Abdominal CT with intravenous contrast, arterial phase, axial plane, 100 kVp, kernel I30f. Slice 393/1059 from the bottom of the scan; thickness 1.00 mm; pixel size 0.811 mm.
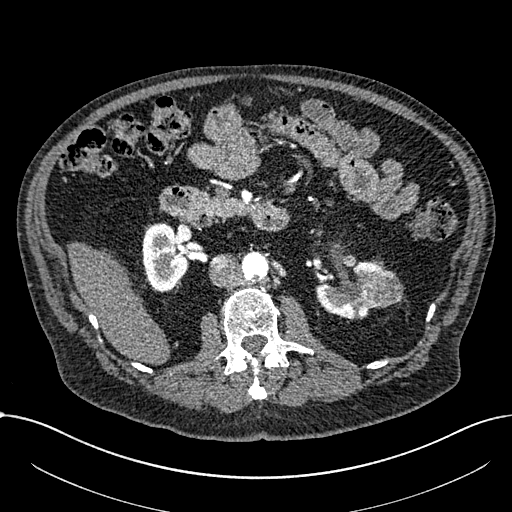
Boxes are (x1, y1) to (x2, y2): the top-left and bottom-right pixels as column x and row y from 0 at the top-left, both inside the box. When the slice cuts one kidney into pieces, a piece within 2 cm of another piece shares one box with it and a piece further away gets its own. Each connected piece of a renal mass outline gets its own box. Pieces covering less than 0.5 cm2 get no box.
Two kidney boxes and one renal mass box on this slice; by box centre, from the image's left to its right: (1) Right part of the midline-crossing kidney, box (142, 222) to (188, 291) (outlined area 2,438 px, about 16.0 cm2). (2) Box (316, 261) to (385, 319): left part of the midline-crossing kidney (outlined area 2,148 px, about 14.1 cm2). (3) Renal mass, box (361, 268) to (404, 307) (outlined area 1,280 px, about 8.4 cm2).